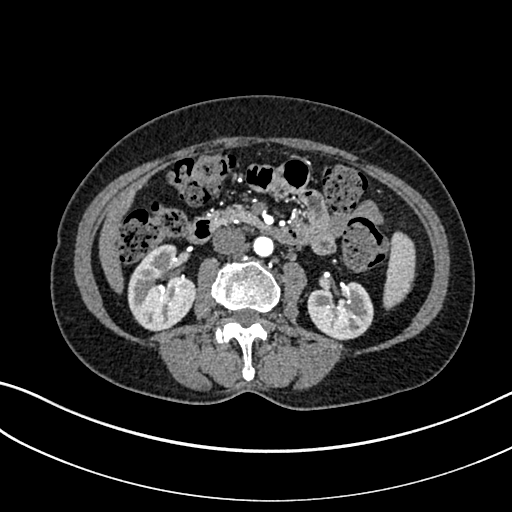
One axial slice (140 of 325, counting up from the lowest) of an arterial-phase abdominal CT acquired with 100 kVp, kernel I30f; each pixel is 0.703 mm and the slice is 1.00 mm thick.
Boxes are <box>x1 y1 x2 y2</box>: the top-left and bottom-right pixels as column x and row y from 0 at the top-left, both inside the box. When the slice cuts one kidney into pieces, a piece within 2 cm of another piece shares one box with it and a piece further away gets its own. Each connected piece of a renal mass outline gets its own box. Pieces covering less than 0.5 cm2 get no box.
Two kidney boxes on this slice; by box centre, from the image's left to its right: (1) Right kidney: <box>127 244 196 331</box> (outlined area 4,330 px, about 21.4 cm2). (2) At <box>307 281 373 340</box>: left kidney (outlined area 3,032 px, about 15.0 cm2). This slice carries no renal mass outline.